Contrast-enhanced abdominal CT, axial slice 44 of 95 (counted from the lowest slice); tube voltage 120 kVp, convolution kernel STANDARD; slices 5.00 mm thick, 0.781 mm per pixel.
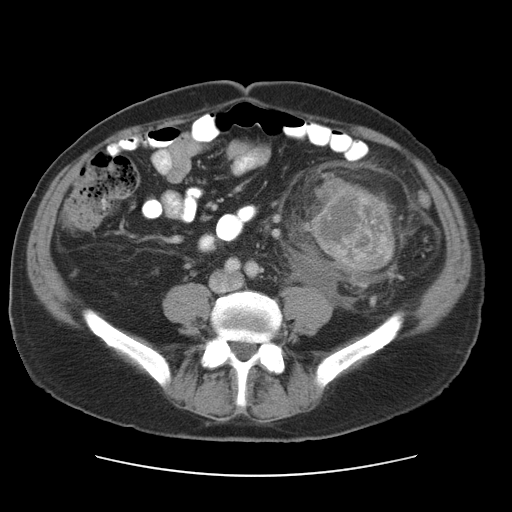
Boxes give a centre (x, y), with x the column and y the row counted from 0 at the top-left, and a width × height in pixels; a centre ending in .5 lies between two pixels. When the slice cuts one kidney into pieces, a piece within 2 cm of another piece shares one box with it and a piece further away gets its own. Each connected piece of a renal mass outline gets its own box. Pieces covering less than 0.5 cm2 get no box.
Left renal mass in a box with centre (354.5, 226), 88 × 89 pixels (outlined area 5,584 px, about 34.1 cm2); no kidney outline appears on this slice, but the same outlined renal mass comes within 1 cm of the kidney on another slice.